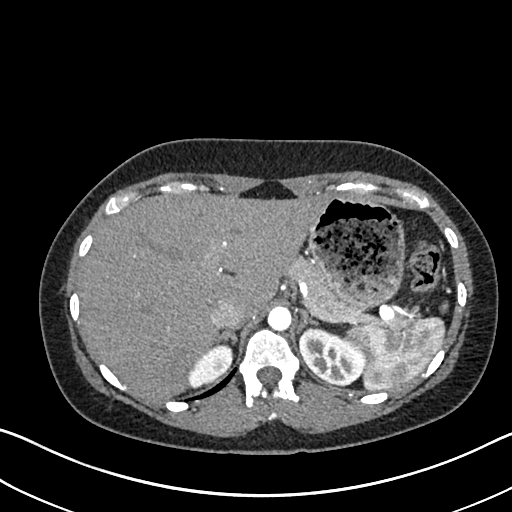
One axial slice (535 of 612, counting up from the lowest) of an arterial-phase abdominal CT acquired with 120 kVp, kernel I30f; each pixel is 0.703 mm and the slice is 1.00 mm thick.
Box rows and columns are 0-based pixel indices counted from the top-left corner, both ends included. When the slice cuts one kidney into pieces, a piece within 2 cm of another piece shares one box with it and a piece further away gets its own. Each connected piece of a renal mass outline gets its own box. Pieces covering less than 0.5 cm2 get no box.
Boxed on this slice (two kidney boxes), listed by box centre from the image's left to its right: (1) Box rows 343–387, columns 186–232: right kidney (outlined area 1,269 px, about 6.3 cm2). (2) Left kidney at rows 325–384, columns 299–365 (outlined area 2,759 px, about 13.6 cm2). This slice carries no renal mass outline.